Arterial-phase contrast-enhanced abdominal CT, axial slice 166 of 345 (counted from the lowest slice); tube voltage 120 kVp, convolution kernel I31f; slices 2.00 mm thick, 0.977 mm per pixel.
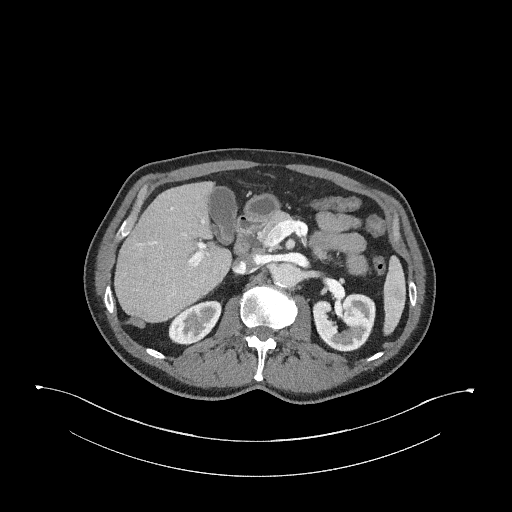
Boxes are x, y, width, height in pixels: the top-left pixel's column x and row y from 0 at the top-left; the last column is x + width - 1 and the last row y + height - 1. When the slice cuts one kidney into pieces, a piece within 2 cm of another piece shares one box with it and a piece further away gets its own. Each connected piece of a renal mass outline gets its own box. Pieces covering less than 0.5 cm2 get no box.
Two boxes on this slice (two kidney boxes), listed by box centre from the image's left to its right. (1) Right kidney at x 168, y 300, width 54, height 46 (outlined area 1,686 px, about 16.1 cm2). (2) Box x 312, y 293, width 64, height 60: left kidney (outlined area 2,885 px, about 27.5 cm2). No renal mass is outlined on this slice.